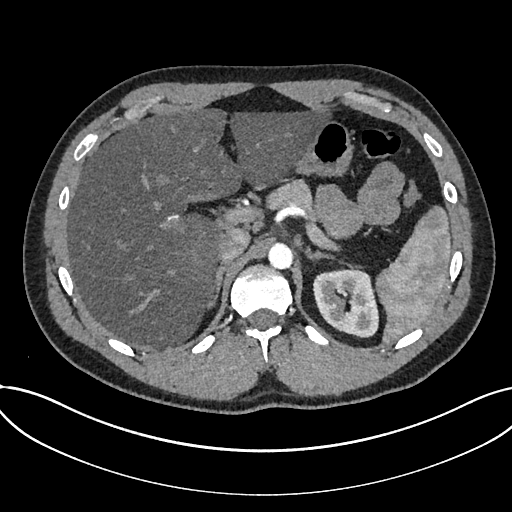
Arterial-phase contrast-enhanced abdominal CT, axial slice 539 of 735 (counted from the lowest slice); tube voltage 120 kVp, convolution kernel I30f; slices 1.00 mm thick, 0.789 mm per pixel.
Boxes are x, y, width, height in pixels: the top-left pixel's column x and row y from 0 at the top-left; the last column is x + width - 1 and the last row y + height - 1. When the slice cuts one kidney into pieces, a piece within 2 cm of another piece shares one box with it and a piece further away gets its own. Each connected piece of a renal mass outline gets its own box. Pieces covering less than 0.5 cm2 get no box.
Box x 313, y 268, width 66, height 70: kidney (outlined area 3,545 px, about 22.1 cm2). No renal mass is outlined on this slice.